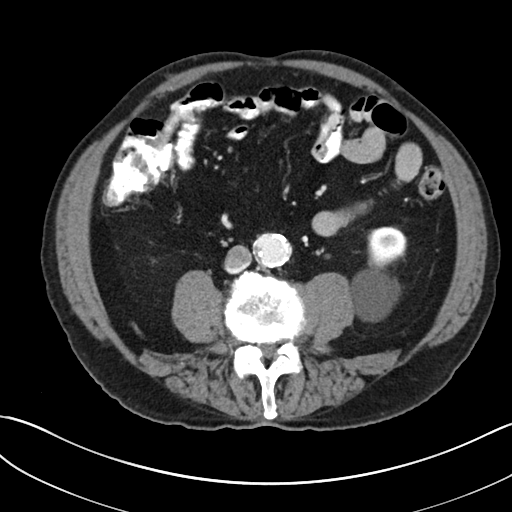
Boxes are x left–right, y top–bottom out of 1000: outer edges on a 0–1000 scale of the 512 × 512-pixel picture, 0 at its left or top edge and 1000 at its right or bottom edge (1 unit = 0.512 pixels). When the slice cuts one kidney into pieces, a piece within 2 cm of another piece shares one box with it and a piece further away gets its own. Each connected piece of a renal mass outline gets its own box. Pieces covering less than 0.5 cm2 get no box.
This is axial slice 104 of 269 (slice 1 is the lowest) of an abdominal CT with contrast; each pixel is 0.732 mm and the slice is 5.00 mm thick. Left kidney at x 682–797, y 441–629 out of 1000 (outlined area 3,459 px, about 18.6 cm2). No renal mass is outlined on this slice.
Acquired at 100 kVp and reconstructed with the I30f kernel.